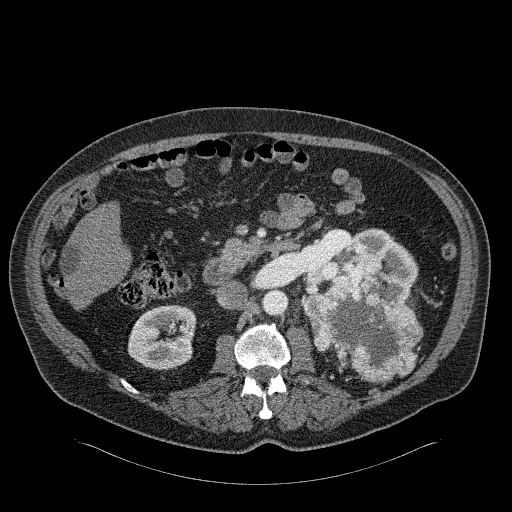
Abdominal CT with intravenous contrast, arterial phase, axial plane, 120 kVp, kernel B31f. Slice 122/326 from the bottom of the scan; thickness 2.00 mm; pixel size 0.963 mm.
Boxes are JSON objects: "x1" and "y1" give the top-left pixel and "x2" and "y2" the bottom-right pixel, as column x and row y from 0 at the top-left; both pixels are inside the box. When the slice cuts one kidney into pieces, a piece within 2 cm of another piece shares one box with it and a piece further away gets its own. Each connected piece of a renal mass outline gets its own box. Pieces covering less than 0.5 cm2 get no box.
Two kidney boxes and one renal mass box on this slice; by box centre, from the image's left to its right: (1) Right kidney, box {"x1": 127, "y1": 305, "x2": 197, "y2": 370} (outlined area 3,578 px, about 33.2 cm2). (2) Box {"x1": 306, "y1": 228, "x2": 418, "y2": 302}: left kidney (outlined area 3,567 px, about 33.1 cm2). (3) Box {"x1": 303, "y1": 252, "x2": 423, "y2": 382}: left renal mass (outlined area 9,208 px, about 85.4 cm2).